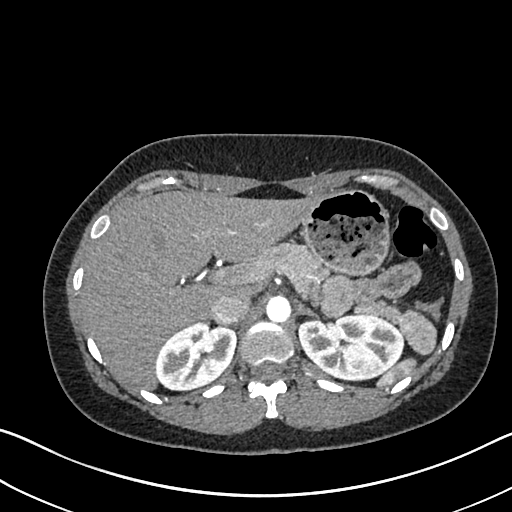
One axial slice (495 of 612, counting up from the lowest) of an arterial-phase abdominal CT acquired with 120 kVp, kernel I30f; each pixel is 0.703 mm and the slice is 1.00 mm thick.
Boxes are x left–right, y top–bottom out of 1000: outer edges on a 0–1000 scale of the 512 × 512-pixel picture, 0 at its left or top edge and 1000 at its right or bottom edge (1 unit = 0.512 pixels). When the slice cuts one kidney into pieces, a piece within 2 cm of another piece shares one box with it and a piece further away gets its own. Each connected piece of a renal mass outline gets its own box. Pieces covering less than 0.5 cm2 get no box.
Two kidney boxes on this slice; by box centre, from the image's left to its right: (1) Right kidney, box x 303–463, y 627–762 out of 1000 (outlined area 4,120 px, about 20.4 cm2). (2) Left kidney at x 582–789, y 611–746 out of 1000 (outlined area 5,586 px, about 27.6 cm2). No renal mass is outlined on this slice.